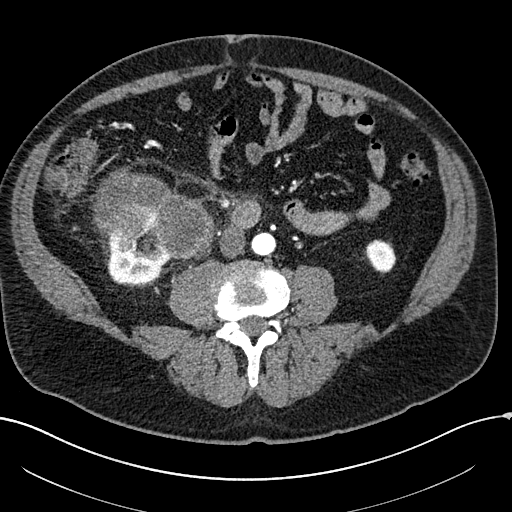
One axial slice (47 of 304, counting up from the lowest) of an arterial-phase abdominal CT acquired with 100 kVp, kernel I30f; each pixel is 0.809 mm and the slice is 2.00 mm thick.
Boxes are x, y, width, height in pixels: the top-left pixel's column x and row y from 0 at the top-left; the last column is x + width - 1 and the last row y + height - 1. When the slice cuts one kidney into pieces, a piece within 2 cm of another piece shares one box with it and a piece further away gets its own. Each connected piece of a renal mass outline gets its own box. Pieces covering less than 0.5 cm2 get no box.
Boxed on this slice (two kidney boxes and one renal mass box), listed by box centre from the image's left to its right: (1) Right kidney, box x 103, y 228, width 69, height 56 (outlined area 2,611 px, about 17.1 cm2). (2) Right renal mass, box x 91, y 166, width 124, height 94 (outlined area 7,057 px, about 46.1 cm2). (3) Left kidney, box x 364, y 239, width 33, height 35 (outlined area 815 px, about 5.3 cm2).